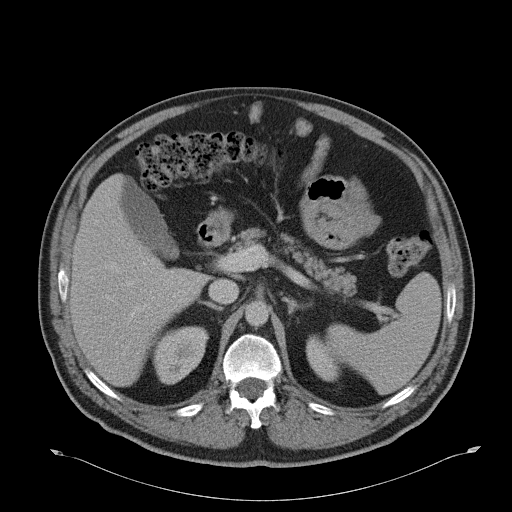
Axial slice 29 of 51 of a contrast-enhanced abdominal CT (slice 1 is the lowest), 120 kVp, kernel B31f; 5.00 mm slice thickness and 0.865 mm pixels.
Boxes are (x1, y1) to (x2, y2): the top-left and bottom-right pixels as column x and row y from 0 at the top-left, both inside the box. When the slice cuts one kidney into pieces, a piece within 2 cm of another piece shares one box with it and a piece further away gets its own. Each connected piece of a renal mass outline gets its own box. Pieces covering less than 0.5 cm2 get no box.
Two kidney boxes on this slice; by box centre, from the image's left to its right: (1) Box (151, 326) to (208, 384): right kidney (outlined area 2,461 px, about 18.4 cm2). (2) Left kidney, box (305, 334) to (340, 381) (outlined area 1,051 px, about 7.9 cm2). No renal mass outline on this slice.